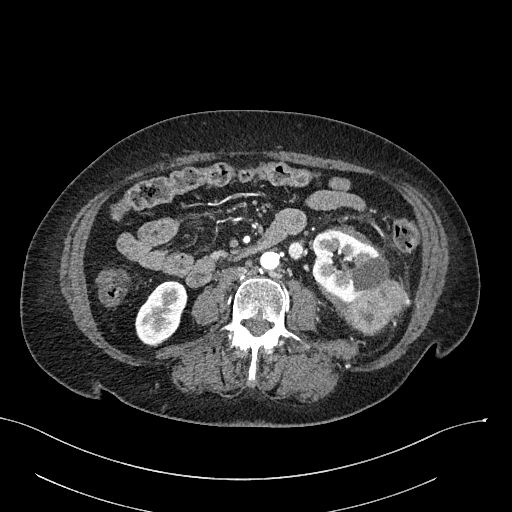
Arterial-phase contrast-enhanced abdominal CT, axial slice 99 of 316 (counted from the lowest slice); tube voltage 100 kVp, convolution kernel I40f; slices 2.00 mm thick, 0.840 mm per pixel.
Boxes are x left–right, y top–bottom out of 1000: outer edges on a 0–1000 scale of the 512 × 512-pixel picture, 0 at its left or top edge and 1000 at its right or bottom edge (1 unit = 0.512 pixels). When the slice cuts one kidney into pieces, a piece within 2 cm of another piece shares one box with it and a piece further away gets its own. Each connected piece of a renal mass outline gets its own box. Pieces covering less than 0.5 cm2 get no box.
Two kidney boxes and one renal mass box on this slice; by box centre, from the image's left to its right: (1) Right kidney at x 264–367, y 547–676 out of 1000 (outlined area 2,390 px, about 16.9 cm2). (2) Left kidney at x 609–762, y 449–596 out of 1000 (outlined area 3,784 px, about 26.7 cm2). (3) Left renal mass, box x 678–801, y 543–652 out of 1000 (outlined area 2,318 px, about 16.3 cm2).